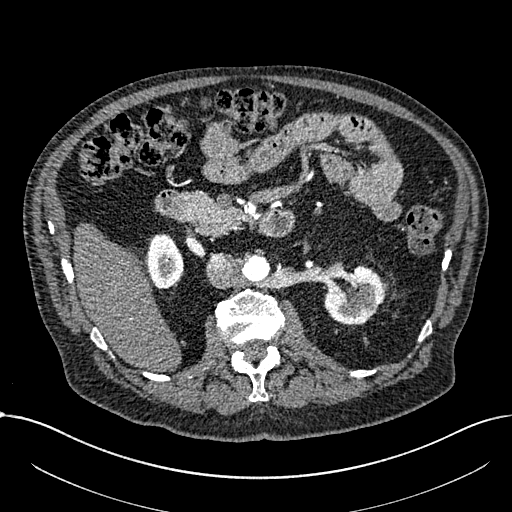
Arterial-phase contrast-enhanced abdominal CT, axial slice 414 of 1059 (counted from the lowest slice); tube voltage 100 kVp, convolution kernel I30f; slices 1.00 mm thick, 0.811 mm per pixel.
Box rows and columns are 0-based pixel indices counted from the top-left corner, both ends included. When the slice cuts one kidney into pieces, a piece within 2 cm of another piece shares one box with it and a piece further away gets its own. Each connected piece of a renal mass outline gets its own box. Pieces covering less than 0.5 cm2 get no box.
Boxed on this slice (two kidney boxes), listed by box centre from the image's left to its right: (1) Right part of the midline-crossing kidney at rows 233–288, columns 147–183 (outlined area 1,641 px, about 10.8 cm2). (2) Left part of the midline-crossing kidney, box rows 265–325, columns 324–387 (outlined area 2,605 px, about 17.1 cm2).